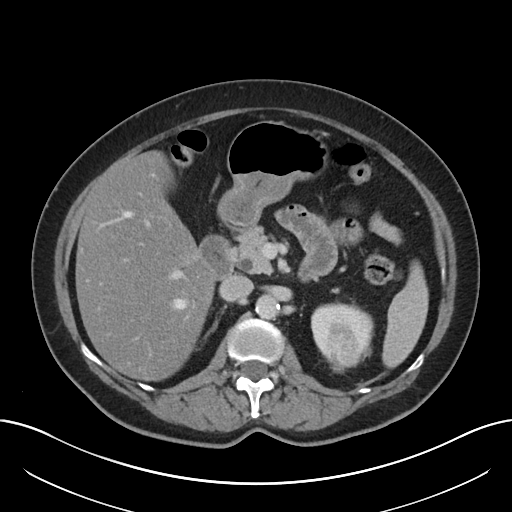
Abdominal CT with intravenous contrast, axial plane, 120 kVp, kernel I30f. Slice 129/197 from the bottom of the scan; thickness 5.00 mm; pixel size 0.791 mm.
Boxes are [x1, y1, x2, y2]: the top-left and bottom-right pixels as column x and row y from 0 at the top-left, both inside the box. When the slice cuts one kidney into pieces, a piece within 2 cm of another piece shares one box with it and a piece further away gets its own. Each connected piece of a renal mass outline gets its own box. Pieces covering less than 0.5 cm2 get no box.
One kidney box and one renal mass box on this slice; by box centre, from the image's left to its right: (1) Left kidney at [311, 301, 374, 356] (outlined area 1,957 px, about 12.2 cm2). (2) Left renal mass, box [324, 324, 365, 369] (outlined area 1,420 px, about 8.9 cm2).